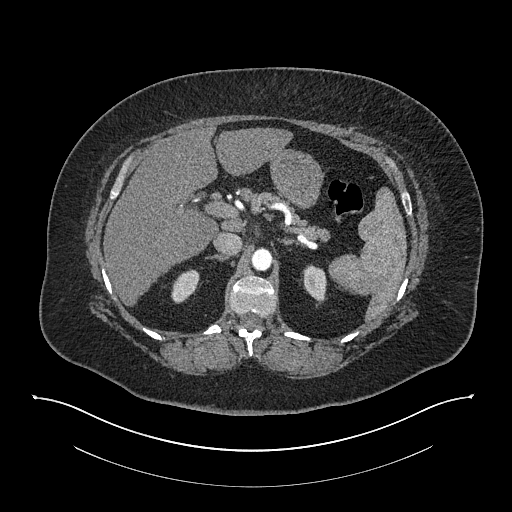
One axial slice (566 of 673, counting up from the lowest) of an arterial-phase abdominal CT acquired with 140 kVp, kernel I30f; each pixel is 0.957 mm and the slice is 1.00 mm thick.
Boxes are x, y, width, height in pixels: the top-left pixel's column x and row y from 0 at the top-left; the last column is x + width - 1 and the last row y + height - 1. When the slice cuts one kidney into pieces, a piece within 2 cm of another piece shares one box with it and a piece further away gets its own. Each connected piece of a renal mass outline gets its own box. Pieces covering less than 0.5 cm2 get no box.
Boxed on this slice (two kidney boxes), listed by box centre from the image's left to its right: (1) Right kidney, box x 171, y 269, width 29, height 35 (outlined area 684 px, about 6.3 cm2). (2) Left kidney, box x 302, y 264, width 26, height 40 (outlined area 719 px, about 6.6 cm2). No renal mass outline on this slice.